Abdominal CT with intravenous contrast, arterial phase, axial plane, 120 kVp, kernel B20f. Slice 633/719 from the bottom of the scan; thickness 1.00 mm; pixel size 0.766 mm.
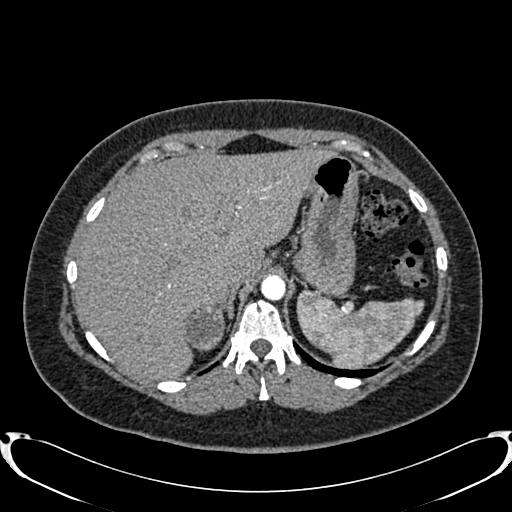
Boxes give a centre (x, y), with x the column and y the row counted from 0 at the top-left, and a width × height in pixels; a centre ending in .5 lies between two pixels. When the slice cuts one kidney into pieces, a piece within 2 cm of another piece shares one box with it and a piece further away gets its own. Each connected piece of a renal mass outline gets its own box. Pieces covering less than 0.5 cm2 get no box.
Box centre (204.5, 327), 42 × 47 pixels: right renal mass (outlined area 1,524 px, about 8.9 cm2); this slice has no kidney outline, though on another slice the same outlined renal mass lies within 1 cm of the kidney.